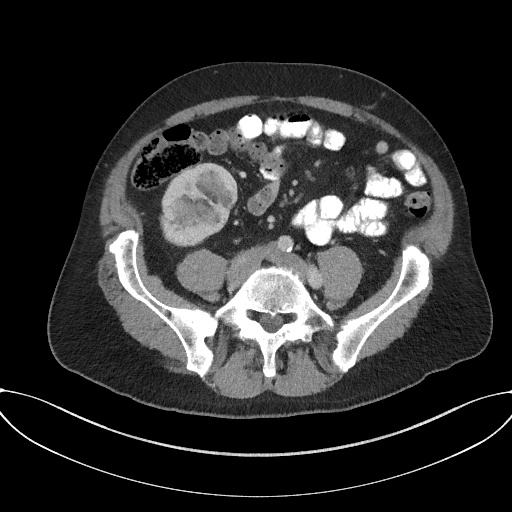
Arterial-phase contrast-enhanced abdominal CT, axial slice 66 of 227 (counted from the lowest slice); tube voltage 120 kVp, convolution kernel I31f; slices 3.00 mm thick, 0.816 mm per pixel.
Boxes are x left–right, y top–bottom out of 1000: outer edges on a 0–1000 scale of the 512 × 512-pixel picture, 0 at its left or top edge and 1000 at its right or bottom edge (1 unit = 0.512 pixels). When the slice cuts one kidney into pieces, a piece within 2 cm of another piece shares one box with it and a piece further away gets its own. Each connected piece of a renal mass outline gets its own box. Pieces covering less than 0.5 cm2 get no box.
Right kidney at x 311–465, y 316–480 out of 1000 (outlined area 4,921 px, about 32.8 cm2). No renal mass outline on this slice.